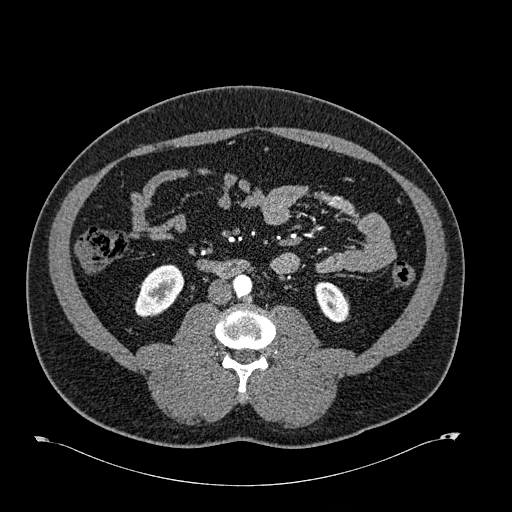
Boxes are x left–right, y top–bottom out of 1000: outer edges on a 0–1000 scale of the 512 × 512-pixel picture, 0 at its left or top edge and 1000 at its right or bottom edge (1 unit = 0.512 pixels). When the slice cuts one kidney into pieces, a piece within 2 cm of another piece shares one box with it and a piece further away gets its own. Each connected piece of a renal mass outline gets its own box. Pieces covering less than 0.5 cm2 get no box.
This is axial slice 281 of 723 (slice 1 is the lowest) of an arterial-phase abdominal CT with contrast; each pixel is 0.895 mm and the slice is 1.00 mm thick. Two kidney boxes on this slice; by box centre, from the image's left to its right: (1) Right kidney at x 262–357, y 516–621 out of 1000 (outlined area 1,816 px, about 14.5 cm2). (2) Left kidney at x 615–680, y 549–631 out of 1000 (outlined area 1,010 px, about 8.1 cm2). No renal mass outline on this slice.
Scan settings: 120 kVp, B30f reconstruction kernel.